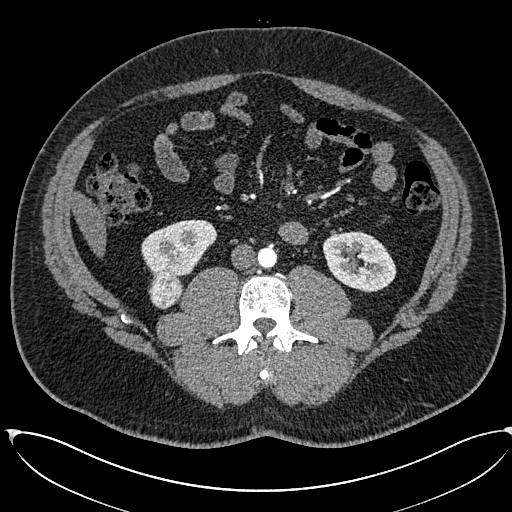
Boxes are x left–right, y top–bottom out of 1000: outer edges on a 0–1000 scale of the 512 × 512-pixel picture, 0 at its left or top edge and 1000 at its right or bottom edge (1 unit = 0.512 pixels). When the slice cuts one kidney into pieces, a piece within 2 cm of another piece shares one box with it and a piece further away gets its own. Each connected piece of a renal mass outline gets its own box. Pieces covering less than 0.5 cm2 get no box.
This is axial slice 270 of 673 (slice 1 is the lowest) of an arterial-phase abdominal CT with contrast; each pixel is 0.855 mm and the slice is 1.00 mm thick. Two kidney boxes and one renal mass box on this slice; by box centre, from the image's left to its right: (1) Right renal mass at x 289–355, y 527–605 out of 1000 (outlined area 1,030 px, about 7.5 cm2). (2) Box x 275–426, y 428–543 out of 1000: right kidney (outlined area 3,097 px, about 22.7 cm2). (3) Box x 629–775, y 451–572 out of 1000: left kidney (outlined area 3,350 px, about 24.5 cm2).
Acquired at 120 kVp and reconstructed with the I30f kernel.